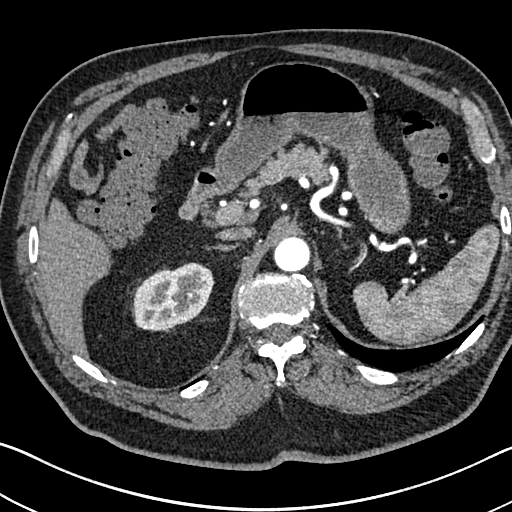
Axial slice 526 of 705 of a contrast-enhanced abdominal CT in the arterial phase (slice 1 is the lowest), 120 kVp, kernel I30f; 1.00 mm slice thickness and 0.703 mm pixels.
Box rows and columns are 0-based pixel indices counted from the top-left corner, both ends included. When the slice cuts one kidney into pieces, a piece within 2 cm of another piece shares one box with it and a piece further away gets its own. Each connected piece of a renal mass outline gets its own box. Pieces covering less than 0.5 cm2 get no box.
Box rows 262–331, columns 133–213: right kidney (outlined area 4,133 px, about 20.4 cm2). No renal mass outline on this slice.